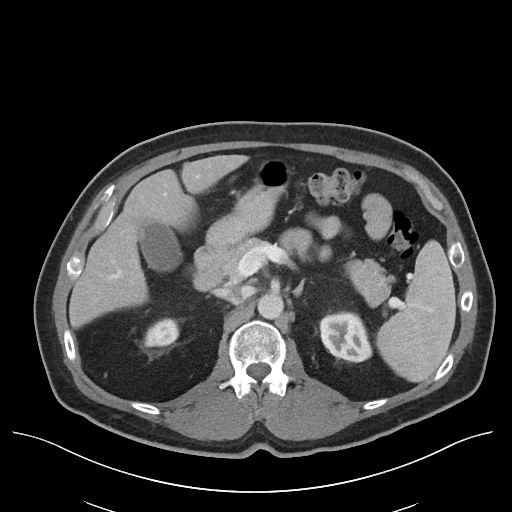
Arterial-phase contrast-enhanced abdominal CT, axial slice 73 of 96 (counted from the lowest slice); tube voltage 120 kVp, convolution kernel I40f; slices 5.00 mm thick, 0.840 mm per pixel.
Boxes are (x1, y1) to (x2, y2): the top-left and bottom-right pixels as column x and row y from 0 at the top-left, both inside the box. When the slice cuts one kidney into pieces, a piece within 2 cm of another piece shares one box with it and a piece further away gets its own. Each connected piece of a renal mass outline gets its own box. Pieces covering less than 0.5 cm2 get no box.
Boxed on this slice (two kidney boxes), listed by box centre from the image's left to its right: (1) Right kidney from (143, 318) to (178, 346) (outlined area 768 px, about 5.4 cm2). (2) Left kidney from (319, 311) to (371, 362) (outlined area 2,044 px, about 14.4 cm2). No renal mass is outlined on this slice.